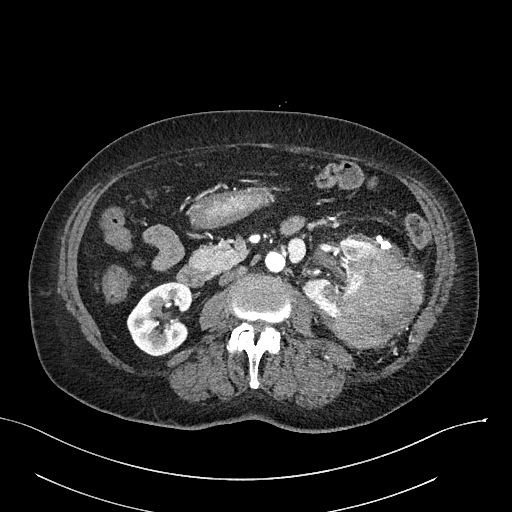
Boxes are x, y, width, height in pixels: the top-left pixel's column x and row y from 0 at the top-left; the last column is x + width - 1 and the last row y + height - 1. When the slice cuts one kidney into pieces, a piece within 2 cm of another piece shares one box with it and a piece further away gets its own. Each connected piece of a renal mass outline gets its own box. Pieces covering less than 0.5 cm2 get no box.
Arterial-phase contrast-enhanced abdominal CT, axial slice 120 of 316 (counted from the lowest slice); 2.00 mm thick, 0.840 mm per pixel. Three boxes on this slice (two kidney boxes and one renal mass box), listed by box centre from the image's left to its right. (1) Box x 126, y 281, width 66, height 76: right kidney (outlined area 3,492 px, about 24.6 cm2). (2) Box x 302, y 239, width 73, height 79: left kidney (outlined area 2,619 px, about 18.5 cm2). (3) Left renal mass at x 335, y 245, width 89, height 104 (outlined area 6,295 px, about 44.4 cm2).
Acquired at 100 kVp and reconstructed with the I40f kernel.